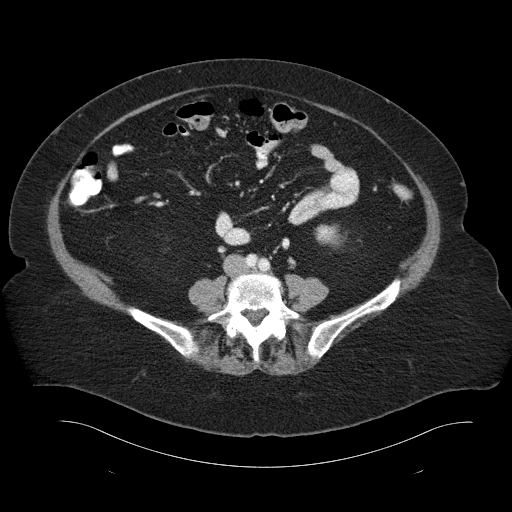
One axial slice (43 of 93, counting up from the lowest) of a contrast-enhanced abdominal CT acquired with 120 kVp, kernel B30f; each pixel is 0.938 mm and the slice is 5.00 mm thick.
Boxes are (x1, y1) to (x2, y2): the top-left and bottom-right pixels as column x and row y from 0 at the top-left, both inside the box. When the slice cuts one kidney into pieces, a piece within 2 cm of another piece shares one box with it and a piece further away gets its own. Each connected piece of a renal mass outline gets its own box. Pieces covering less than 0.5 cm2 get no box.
Left kidney, box (314, 224) to (346, 248) (outlined area 582 px, about 5.1 cm2). This slice carries no renal mass outline.